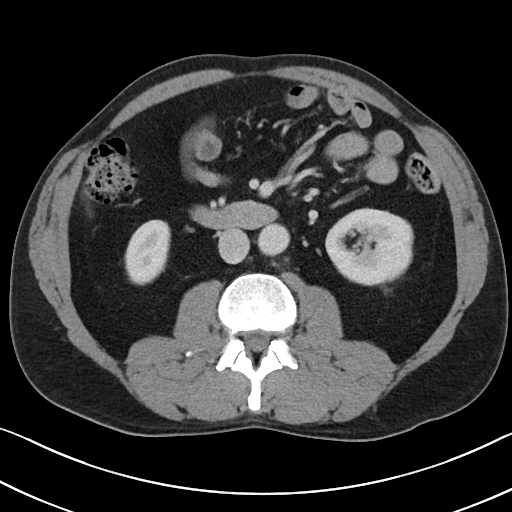
Axial slice 58 of 101 of a contrast-enhanced abdominal CT (slice 1 is the lowest), 100 kVp, kernel I40f; 5.00 mm slice thickness and 0.684 mm pixels.
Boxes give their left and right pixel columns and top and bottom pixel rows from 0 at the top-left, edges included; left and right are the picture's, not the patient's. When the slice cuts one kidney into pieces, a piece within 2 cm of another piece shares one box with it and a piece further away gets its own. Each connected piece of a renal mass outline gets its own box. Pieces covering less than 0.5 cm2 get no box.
Two boxes on this slice (two kidney boxes), listed by box centre from the image's left to its right. (1) Right kidney, the box with left 124, top 219, right 170, bottom 285 (outlined area 2,354 px, about 11.0 cm2). (2) Left kidney, the box with left 325, top 207, right 413, bottom 285 (outlined area 5,403 px, about 25.2 cm2). No renal mass is outlined on this slice.